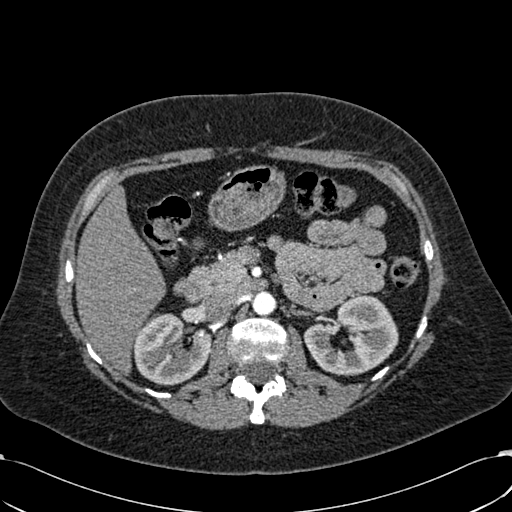
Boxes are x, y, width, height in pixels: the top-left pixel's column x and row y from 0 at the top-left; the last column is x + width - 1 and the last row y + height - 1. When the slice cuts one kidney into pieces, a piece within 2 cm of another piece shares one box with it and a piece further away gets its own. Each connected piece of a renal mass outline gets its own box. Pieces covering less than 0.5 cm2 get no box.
Arterial-phase contrast-enhanced abdominal CT, axial slice 387 of 532 (counted from the lowest slice); 1.00 mm thick, 0.713 mm per pixel. Two boxes on this slice (two kidney boxes), listed by box centre from the image's left to its right. (1) Box x 132, y 313, width 80, height 73: right kidney (outlined area 4,206 px, about 21.4 cm2). (2) Left kidney at x 303, y 294, width 96, height 83 (outlined area 5,142 px, about 26.1 cm2). No renal mass outline on this slice.
Acquired at 120 kVp and reconstructed with the B30f kernel.